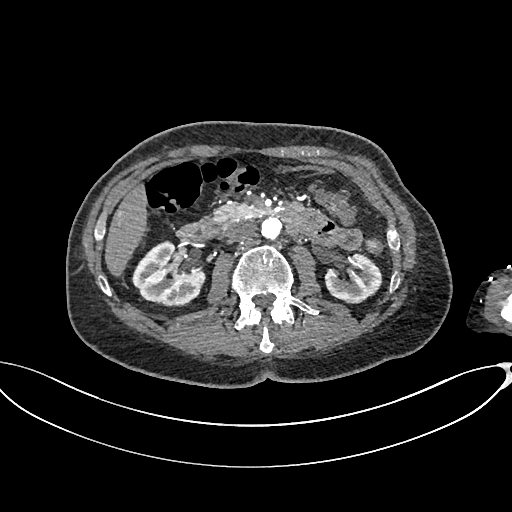
Axial slice 383 of 665 of a contrast-enhanced abdominal CT in the arterial phase (slice 1 is the lowest), 100 kVp, kernel I26f; 1.00 mm slice thickness and 0.828 mm pixels.
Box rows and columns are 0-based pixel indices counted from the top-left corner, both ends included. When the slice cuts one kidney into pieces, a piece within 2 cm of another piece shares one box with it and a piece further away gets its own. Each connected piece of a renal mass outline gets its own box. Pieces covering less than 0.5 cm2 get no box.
Two kidney boxes on this slice; by box centre, from the image's left to its right: (1) Box rows 241–306, columns 131–205: right kidney (outlined area 3,364 px, about 23.1 cm2). (2) Left kidney, box rows 253–303, columns 325–382 (outlined area 2,099 px, about 14.4 cm2). No renal mass is outlined on this slice.